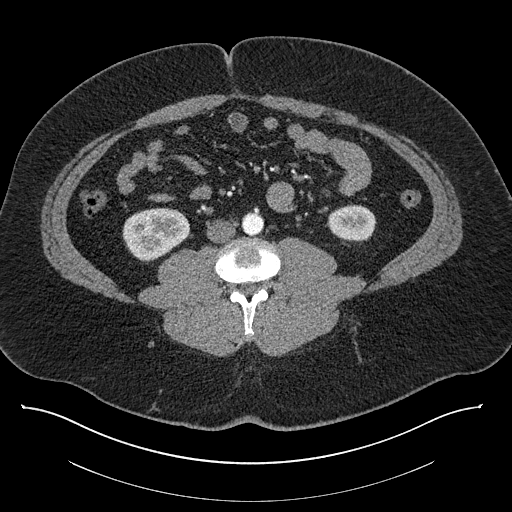
Contrast-enhanced abdominal CT, axial slice 366 of 787 (counted from the lowest slice); tube voltage 140 kVp, convolution kernel I30f; slices 1.00 mm thick, 0.910 mm per pixel.
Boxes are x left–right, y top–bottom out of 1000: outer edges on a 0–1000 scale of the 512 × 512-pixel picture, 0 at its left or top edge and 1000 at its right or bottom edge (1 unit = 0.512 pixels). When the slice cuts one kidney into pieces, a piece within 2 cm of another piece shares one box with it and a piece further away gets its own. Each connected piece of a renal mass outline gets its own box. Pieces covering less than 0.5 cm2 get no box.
Two kidney boxes on this slice; by box centre, from the image's left to its right: (1) Right kidney, box x 238–371, y 404–512 out of 1000 (outlined area 2,732 px, about 22.6 cm2). (2) Left kidney at x 639–736, y 398–475 out of 1000 (outlined area 1,451 px, about 12.0 cm2). No renal mass outline on this slice.